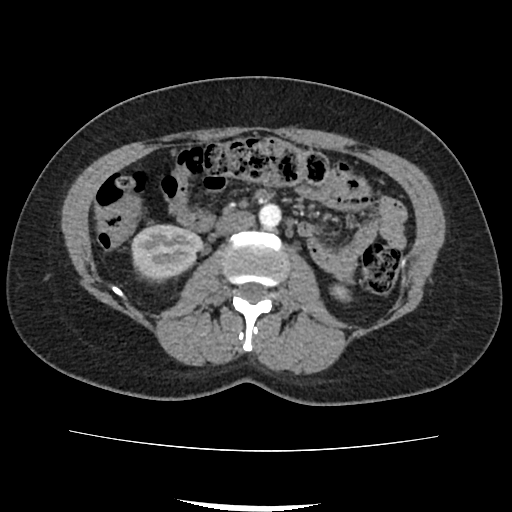
Abdominal CT with intravenous contrast, axial plane, 120 kVp, kernel FC18. Slice 40/103 from the bottom of the scan; thickness 3.00 mm; pixel size 0.714 mm.
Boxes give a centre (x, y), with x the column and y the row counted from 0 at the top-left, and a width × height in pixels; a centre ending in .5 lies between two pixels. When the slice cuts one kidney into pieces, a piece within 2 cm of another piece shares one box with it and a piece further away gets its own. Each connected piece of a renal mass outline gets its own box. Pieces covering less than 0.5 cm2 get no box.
Boxed on this slice (two kidney boxes), listed by box centre from the image's left to its right: (1) Right kidney, box centre (167, 250.5), 73 × 54 pixels (outlined area 3,047 px, about 15.5 cm2). (2) Box centre (340, 291.5), 23 × 22 pixels: left kidney (outlined area 316 px, about 1.6 cm2). No renal mass is outlined on this slice.